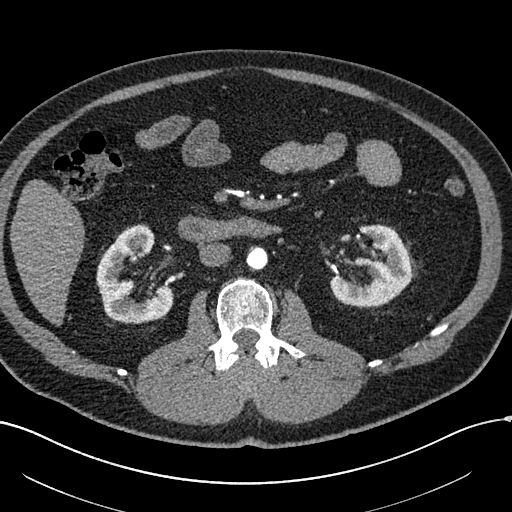
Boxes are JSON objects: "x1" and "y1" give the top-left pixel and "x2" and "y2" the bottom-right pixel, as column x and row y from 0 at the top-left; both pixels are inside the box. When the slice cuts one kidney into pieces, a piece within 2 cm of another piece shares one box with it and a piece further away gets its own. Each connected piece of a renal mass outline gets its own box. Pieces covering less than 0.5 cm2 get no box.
This is axial slice 312 of 602 (slice 1 is the lowest) of an arterial-phase abdominal CT with contrast; each pixel is 0.799 mm and the slice is 1.00 mm thick. Two kidney boxes on this slice; by box centre, from the image's left to its right: (1) Right kidney at {"x1": 96, "y1": 224, "x2": 173, "y2": 322} (outlined area 4,587 px, about 29.3 cm2). (2) Box {"x1": 330, "y1": 224, "x2": 411, "y2": 306}: left kidney (outlined area 4,328 px, about 27.6 cm2). No renal mass outline on this slice.
Acquired at 120 kVp and reconstructed with the I30f kernel.